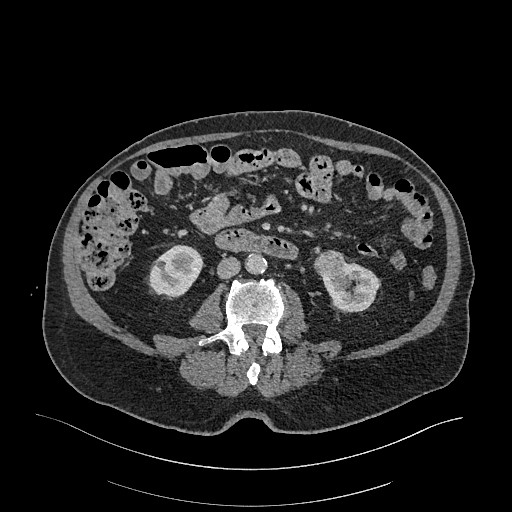
Abdominal CT with intravenous contrast, arterial phase, axial plane, 120 kVp, kernel I26f. Slice 96/470 from the bottom of the scan; thickness 1.00 mm; pixel size 0.938 mm.
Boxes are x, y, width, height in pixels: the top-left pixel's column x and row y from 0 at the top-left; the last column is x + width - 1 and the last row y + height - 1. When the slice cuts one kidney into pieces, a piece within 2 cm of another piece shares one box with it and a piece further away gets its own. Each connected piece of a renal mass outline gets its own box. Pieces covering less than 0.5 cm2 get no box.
Two kidney boxes and one renal mass box on this slice; by box centre, from the image's left to its right: (1) Right kidney at x 147, y 244, width 58, height 54 (outlined area 2,171 px, about 19.1 cm2). (2) Left renal mass, box x 313, y 250, width 32, height 31 (outlined area 750 px, about 6.6 cm2). (3) Box x 321, y 261, width 58, height 52: left kidney (outlined area 1,933 px, about 17.0 cm2).